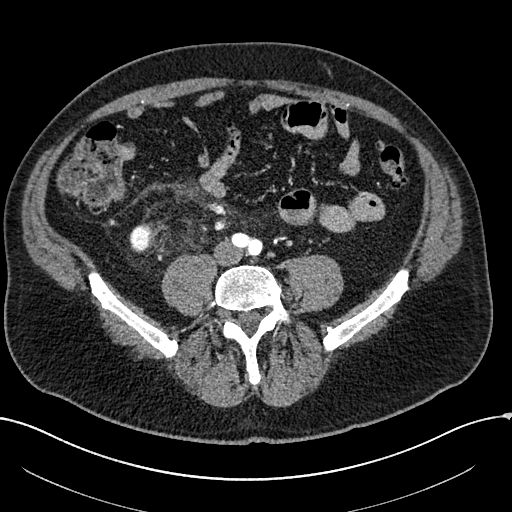
Abdominal CT with intravenous contrast, arterial phase, axial plane, 100 kVp, kernel I30f. Slice 23/304 from the bottom of the scan; thickness 2.00 mm; pixel size 0.809 mm.
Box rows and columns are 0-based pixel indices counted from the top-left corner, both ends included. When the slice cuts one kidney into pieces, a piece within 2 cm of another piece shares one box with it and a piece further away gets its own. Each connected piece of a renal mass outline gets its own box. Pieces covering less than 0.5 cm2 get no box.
Box rows 223–253, columns 129–151: right kidney (outlined area 534 px, about 3.5 cm2). This slice carries no renal mass outline.